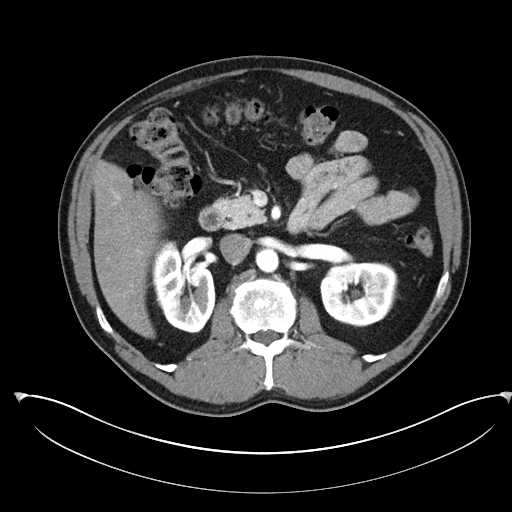
One axial slice (144 of 302, counting up from the lowest) of an arterial-phase abdominal CT acquired with 100 kVp, kernel I30f; each pixel is 0.875 mm and the slice is 5.00 mm thick.
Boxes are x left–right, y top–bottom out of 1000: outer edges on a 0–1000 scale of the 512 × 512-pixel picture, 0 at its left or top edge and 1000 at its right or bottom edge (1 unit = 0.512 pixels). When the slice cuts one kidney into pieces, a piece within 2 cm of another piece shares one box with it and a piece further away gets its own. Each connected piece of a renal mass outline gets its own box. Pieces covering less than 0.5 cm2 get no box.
Two kidney boxes on this slice; by box centre, from the image's left to its right: (1) Right kidney, box x 295–422, y 467–652 out of 1000 (outlined area 4,427 px, about 33.9 cm2). (2) Left kidney, box x 625–779, y 512–641 out of 1000 (outlined area 4,173 px, about 31.9 cm2). This slice carries no renal mass outline.